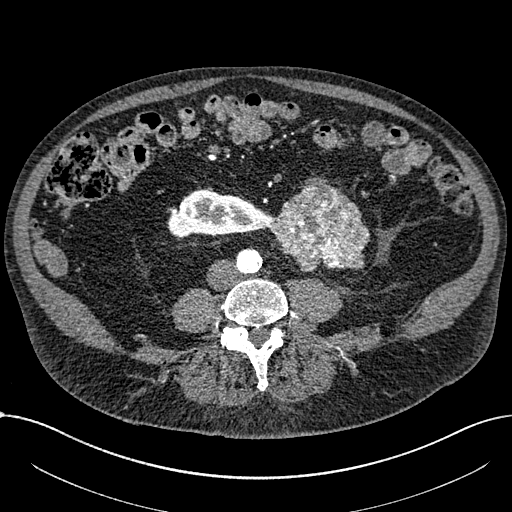
Abdominal CT with intravenous contrast, arterial phase, axial plane, 100 kVp, kernel I30f. Slice 245/1059 from the bottom of the scan; thickness 1.00 mm; pixel size 0.811 mm.
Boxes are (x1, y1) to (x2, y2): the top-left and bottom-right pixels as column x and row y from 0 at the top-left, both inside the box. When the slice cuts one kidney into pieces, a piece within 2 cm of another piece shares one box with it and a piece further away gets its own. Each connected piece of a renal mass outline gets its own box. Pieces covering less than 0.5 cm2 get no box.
Two boxes on this slice (one kidney box and one renal mass box), listed by box centre from the image's left to its right. (1) Right part of the midline-crossing kidney, box (168, 189) to (274, 238) (outlined area 3,605 px, about 23.7 cm2). (2) Renal mass, box (271, 181) to (370, 272) (outlined area 6,408 px, about 42.1 cm2).